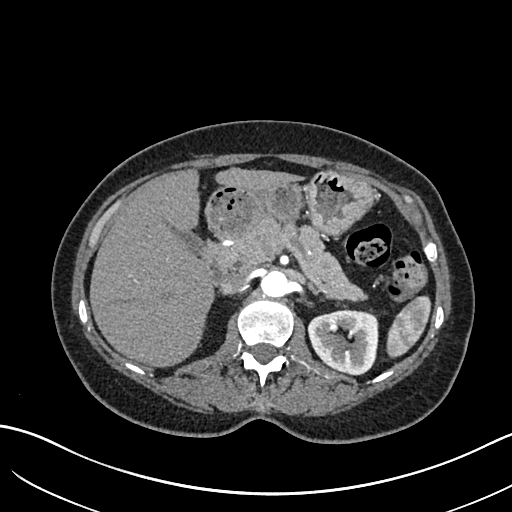
Abdominal CT with intravenous contrast, arterial phase, axial plane, 120 kVp, kernel I30f. Slice 428/683 from the bottom of the scan; thickness 1.00 mm; pixel size 0.738 mm.
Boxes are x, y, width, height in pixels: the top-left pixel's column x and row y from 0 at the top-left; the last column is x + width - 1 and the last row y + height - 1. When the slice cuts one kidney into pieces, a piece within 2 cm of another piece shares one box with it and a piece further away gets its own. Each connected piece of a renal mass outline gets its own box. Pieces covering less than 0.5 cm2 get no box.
Left kidney at x 307, y 309, width 72, height 67 (outlined area 3,699 px, about 20.2 cm2). This slice carries no renal mass outline.